Axial slice 129 of 345 of a contrast-enhanced abdominal CT in the arterial phase (slice 1 is the lowest), 120 kVp, kernel I31f; 2.00 mm slice thickness and 0.977 mm pixels.
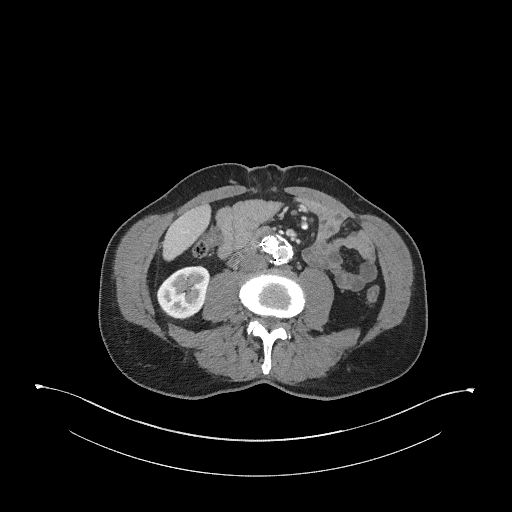
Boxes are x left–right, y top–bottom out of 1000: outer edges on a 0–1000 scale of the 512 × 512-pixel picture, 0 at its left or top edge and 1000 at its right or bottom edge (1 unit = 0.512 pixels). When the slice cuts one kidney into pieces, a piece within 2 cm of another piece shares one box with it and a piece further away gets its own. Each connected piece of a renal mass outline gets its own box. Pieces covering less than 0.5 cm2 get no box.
Box x 305–410, y 518–625 out of 1000: right kidney (outlined area 2,152 px, about 20.5 cm2). This slice carries no renal mass outline.